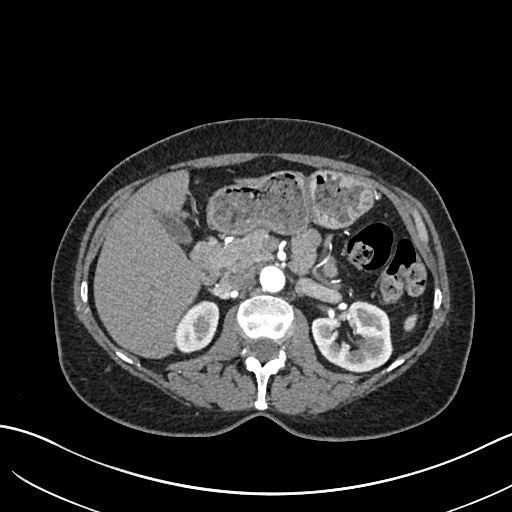
Axial slice 406 of 683 of a contrast-enhanced abdominal CT in the arterial phase (slice 1 is the lowest), 120 kVp, kernel I30f; 1.00 mm slice thickness and 0.738 mm pixels.
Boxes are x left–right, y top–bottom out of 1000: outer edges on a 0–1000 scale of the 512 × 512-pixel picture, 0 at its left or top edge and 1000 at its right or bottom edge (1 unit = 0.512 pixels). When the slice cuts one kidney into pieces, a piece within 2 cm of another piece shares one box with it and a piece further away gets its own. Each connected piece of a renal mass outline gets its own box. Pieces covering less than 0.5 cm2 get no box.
Two boxes on this slice (two kidney boxes), listed by box centre from the image's left to its right. (1) Right kidney at x 344–430, y 586–691 out of 1000 (outlined area 1,709 px, about 9.3 cm2). (2) Left kidney at x 607–766, y 586–723 out of 1000 (outlined area 4,107 px, about 22.4 cm2). No renal mass is outlined on this slice.